Abdominal CT with intravenous contrast, axial plane, 120 kVp, kernel STANDARD. Slice 114/206 from the bottom of the scan; thickness 2.50 mm; pixel size 0.879 mm.
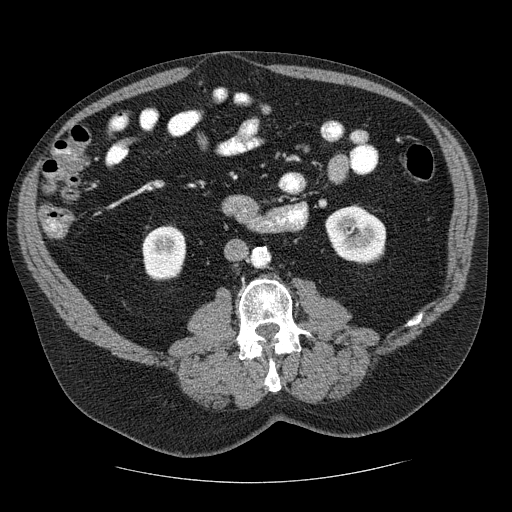
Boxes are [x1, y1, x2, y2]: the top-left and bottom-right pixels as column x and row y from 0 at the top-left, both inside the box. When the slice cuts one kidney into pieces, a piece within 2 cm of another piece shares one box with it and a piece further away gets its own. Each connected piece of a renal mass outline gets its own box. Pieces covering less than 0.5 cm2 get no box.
Two boxes on this slice (two kidney boxes), listed by box centre from the image's left to its right. (1) Box [142, 224, 186, 280]: right kidney (outlined area 2,046 px, about 15.8 cm2). (2) Left kidney, box [325, 204, 386, 264] (outlined area 2,801 px, about 21.6 cm2). No renal mass outline on this slice.